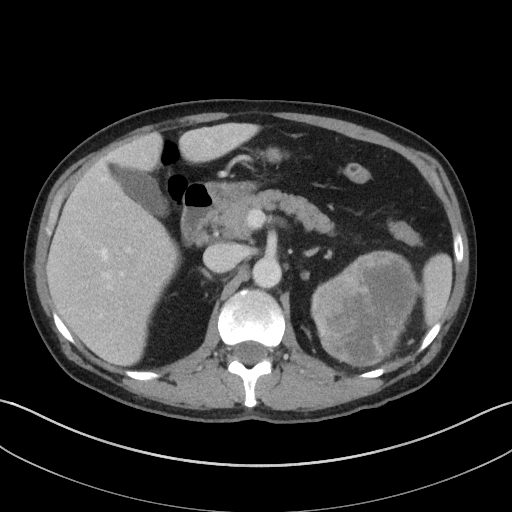
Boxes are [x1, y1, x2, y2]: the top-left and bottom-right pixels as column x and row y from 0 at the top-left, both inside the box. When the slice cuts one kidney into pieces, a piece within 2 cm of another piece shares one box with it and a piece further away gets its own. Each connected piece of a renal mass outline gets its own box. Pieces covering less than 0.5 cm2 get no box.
Slice 74/143 of a contrast-enhanced abdominal CT, counting up from the lowest; pixel size 0.734 mm, slice thickness 5.00 mm. Two boxes on this slice (one kidney box and one renal mass box), listed by box centre from the image's left to its right. (1) Left kidney, box [310, 278, 331, 324] (outlined area 249 px, about 1.3 cm2). (2) Box [316, 250, 418, 367]: left renal mass (outlined area 8,995 px, about 48.5 cm2).
Scan settings: 100 kVp, I41f reconstruction kernel.